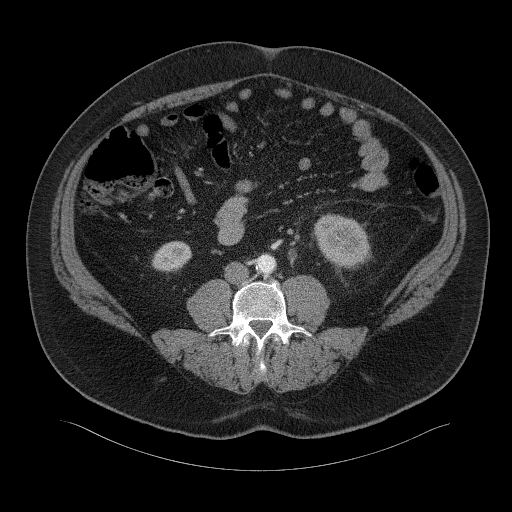
Abdominal CT with intravenous contrast, axial plane, 120 kVp, kernel B41f. Slice 6/94 from the bottom of the scan; thickness 3.00 mm; pixel size 0.977 mm.
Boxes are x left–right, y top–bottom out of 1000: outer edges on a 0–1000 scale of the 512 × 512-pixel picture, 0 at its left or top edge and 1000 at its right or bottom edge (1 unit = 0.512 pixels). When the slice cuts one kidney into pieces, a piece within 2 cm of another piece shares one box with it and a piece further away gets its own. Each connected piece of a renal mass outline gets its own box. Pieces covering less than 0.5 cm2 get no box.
Two boxes on this slice (two kidney boxes), listed by box centre from the image's left to its right. (1) Right kidney at x 295–375, y 471–535 out of 1000 (outlined area 970 px, about 9.3 cm2). (2) Left kidney at x 615–727, y 416–525 out of 1000 (outlined area 2,354 px, about 22.4 cm2). No renal mass is outlined on this slice.